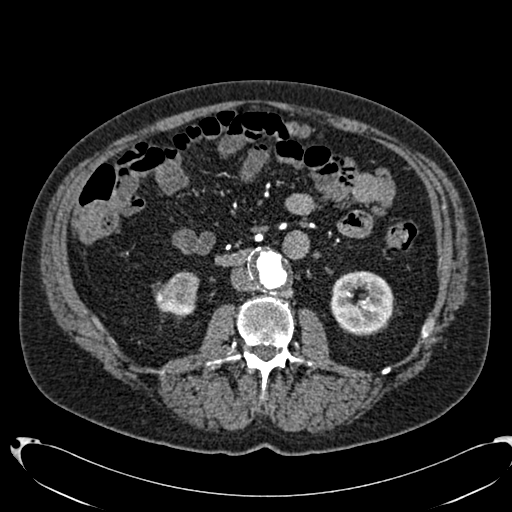
Abdominal CT with intravenous contrast, arterial phase, axial plane, 120 kVp, kernel B20f. Slice 364/553 from the bottom of the scan; thickness 1.00 mm; pixel size 0.773 mm.
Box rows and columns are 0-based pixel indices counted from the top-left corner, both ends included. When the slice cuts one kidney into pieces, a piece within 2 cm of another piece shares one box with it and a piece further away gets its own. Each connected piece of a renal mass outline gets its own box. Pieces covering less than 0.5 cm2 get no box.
Two boxes on this slice (two kidney boxes), listed by box centre from the image's left to its right. (1) Box rows 271–316, columns 155–199: right kidney (outlined area 1,468 px, about 8.8 cm2). (2) Left kidney, box rows 271–334, columns 330–393 (outlined area 3,145 px, about 18.8 cm2). This slice carries no renal mass outline.